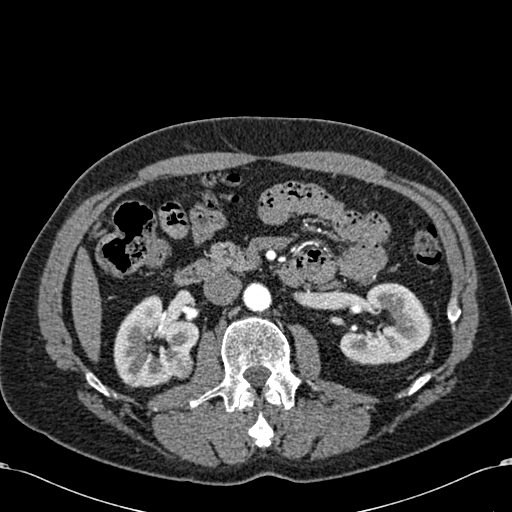
Arterial-phase contrast-enhanced abdominal CT, axial slice 351 of 581 (counted from the lowest slice); tube voltage 120 kVp, convolution kernel B30f; slices 1.00 mm thick, 0.713 mm per pixel.
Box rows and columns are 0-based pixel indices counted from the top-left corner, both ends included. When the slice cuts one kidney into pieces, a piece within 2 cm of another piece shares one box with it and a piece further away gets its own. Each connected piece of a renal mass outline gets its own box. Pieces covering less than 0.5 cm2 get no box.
Boxed on this slice (two kidney boxes and one renal mass box), listed by box centre from the image's left to its right: (1) Box rows 295–387, columns 113–199: right kidney (outlined area 5,217 px, about 26.5 cm2). (2) Right renal mass at rows 351–379, columns 169–193 (outlined area 560 px, about 2.8 cm2). (3) Left kidney at rows 282–365, columns 339–431 (outlined area 5,024 px, about 25.5 cm2).